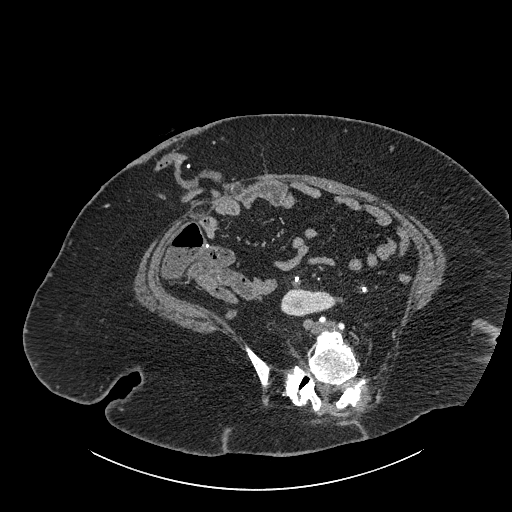
One axial slice (393 of 834, counting up from the lowest) of a contrast-enhanced abdominal CT acquired with 140 kVp, kernel I30f; each pixel is 0.977 mm and the slice is 1.00 mm thick.
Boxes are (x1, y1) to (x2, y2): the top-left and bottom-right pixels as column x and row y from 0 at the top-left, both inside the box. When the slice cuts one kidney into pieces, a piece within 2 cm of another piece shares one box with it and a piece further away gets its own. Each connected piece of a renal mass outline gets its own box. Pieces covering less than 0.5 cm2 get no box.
Box (280, 287) to (342, 316): right part of the midline-crossing kidney (outlined area 1,266 px, about 12.1 cm2). No renal mass outline on this slice.